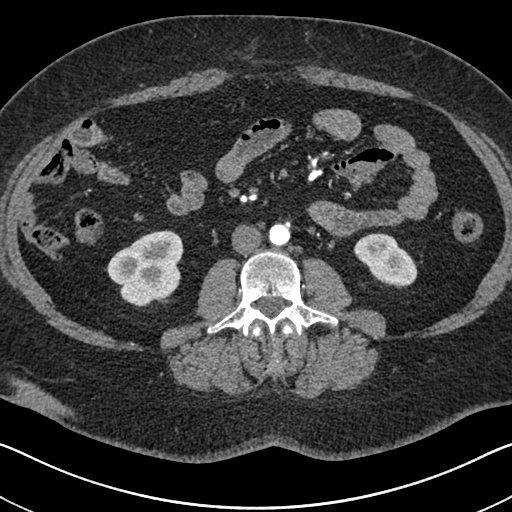
Arterial-phase contrast-enhanced abdominal CT, axial slice 311 of 591 (counted from the lowest slice); tube voltage 140 kVp, convolution kernel I30f; slices 1.00 mm thick, 0.703 mm per pixel.
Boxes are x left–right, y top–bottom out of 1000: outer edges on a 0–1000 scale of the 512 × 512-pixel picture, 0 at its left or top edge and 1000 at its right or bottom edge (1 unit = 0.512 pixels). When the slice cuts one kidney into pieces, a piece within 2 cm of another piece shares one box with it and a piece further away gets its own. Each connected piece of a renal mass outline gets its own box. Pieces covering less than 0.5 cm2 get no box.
Two kidney boxes on this slice; by box centre, from the image's left to its right: (1) Right kidney at x 207–359, y 449–600 out of 1000 (outlined area 4,237 px, about 20.9 cm2). (2) Box x 689–816, y 455–564 out of 1000: left kidney (outlined area 2,341 px, about 11.6 cm2). No renal mass is outlined on this slice.